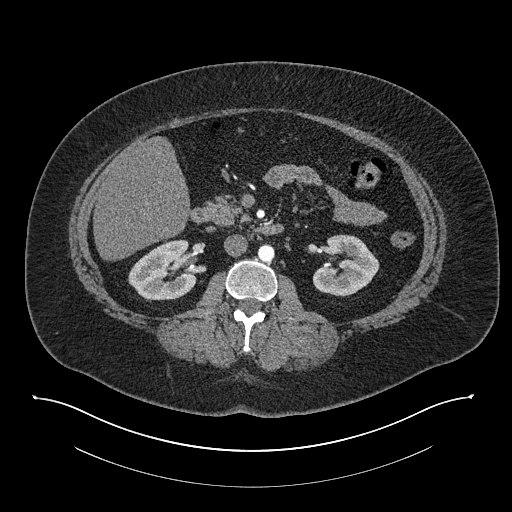
Abdominal CT with intravenous contrast, arterial phase, axial plane, 140 kVp, kernel I30f. Slice 445/673 from the bottom of the scan; thickness 1.00 mm; pixel size 0.957 mm.
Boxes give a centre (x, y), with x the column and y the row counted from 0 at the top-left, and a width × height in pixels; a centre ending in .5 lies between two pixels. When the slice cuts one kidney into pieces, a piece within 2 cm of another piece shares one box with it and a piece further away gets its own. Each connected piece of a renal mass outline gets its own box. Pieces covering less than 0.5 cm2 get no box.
Two boxes on this slice (two kidney boxes), listed by box centre from the image's left to its right. (1) Right kidney, box centre (162, 269.5), 69 × 62 pixels (outlined area 3,115 px, about 28.5 cm2). (2) Left kidney in a box with centre (345.5, 265), 68 × 63 pixels (outlined area 2,890 px, about 26.5 cm2). No renal mass is outlined on this slice.